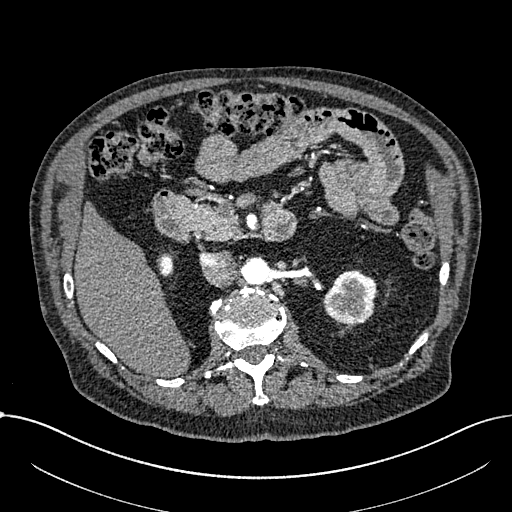
Abdominal CT with intravenous contrast, arterial phase, axial plane, 100 kVp, kernel I30f. Slice 433/1059 from the bottom of the scan; thickness 1.00 mm; pixel size 0.811 mm.
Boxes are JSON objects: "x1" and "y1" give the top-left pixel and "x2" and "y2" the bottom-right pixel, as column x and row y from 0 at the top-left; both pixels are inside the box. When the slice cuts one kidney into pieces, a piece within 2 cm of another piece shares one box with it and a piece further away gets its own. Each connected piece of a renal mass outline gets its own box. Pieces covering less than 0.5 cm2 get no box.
Two boxes on this slice (two kidney boxes), listed by box centre from the image's left to its right. (1) Right part of the midline-crossing kidney, box {"x1": 159, "y1": 253, "x2": 173, "y2": 277} (outlined area 313 px, about 2.1 cm2). (2) Left part of the midline-crossing kidney, box {"x1": 322, "y1": 270, "x2": 376, "y2": 325} (outlined area 2,291 px, about 15.1 cm2). No renal mass is outlined on this slice.